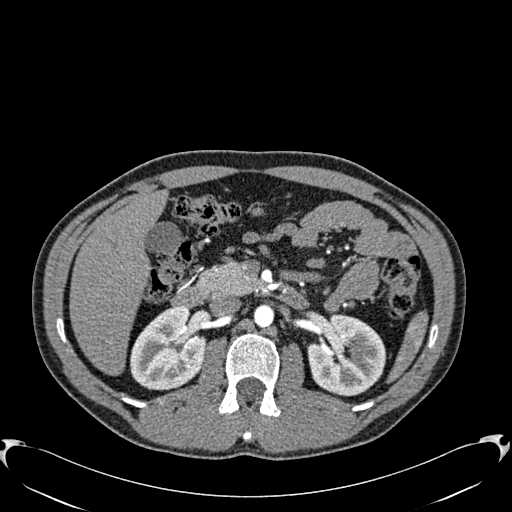
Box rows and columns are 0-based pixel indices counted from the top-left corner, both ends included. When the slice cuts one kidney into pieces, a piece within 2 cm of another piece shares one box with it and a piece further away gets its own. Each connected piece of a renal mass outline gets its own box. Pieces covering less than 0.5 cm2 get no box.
Arterial-phase contrast-enhanced abdominal CT, axial slice 368 of 512 (counted from the lowest slice); 1.00 mm thick, 0.771 mm per pixel. Boxed on this slice (two kidney boxes), listed by box centre from the image's left to its right: (1) Box rows 306–390, columns 130–205: right kidney (outlined area 4,783 px, about 28.5 cm2). (2) Box rows 314–396, columns 307–386: left kidney (outlined area 4,873 px, about 29.0 cm2). No renal mass is outlined on this slice.
Tube voltage 120 kVp; convolution kernel B30f.